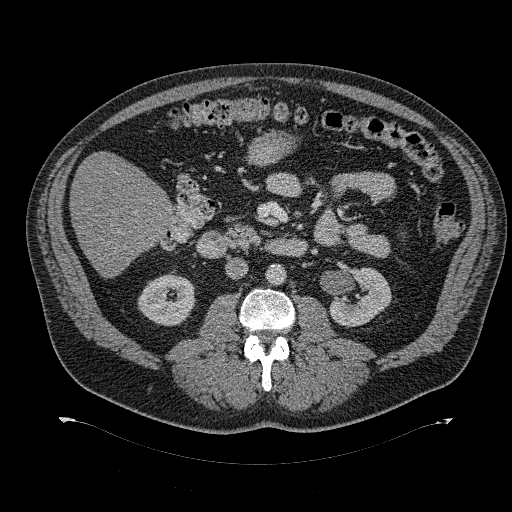
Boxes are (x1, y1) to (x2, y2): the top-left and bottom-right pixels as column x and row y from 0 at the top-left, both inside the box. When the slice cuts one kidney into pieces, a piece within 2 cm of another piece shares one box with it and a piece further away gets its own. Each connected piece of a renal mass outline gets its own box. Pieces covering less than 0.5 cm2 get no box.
Slice 172/274 of a contrast-enhanced abdominal CT, counting up from the lowest; pixel size 0.977 mm, slice thickness 2.00 mm. Two boxes on this slice (two kidney boxes), listed by box centre from the image's left to its right. (1) Right kidney, box (137, 270) to (195, 326) (outlined area 2,338 px, about 22.3 cm2). (2) Left kidney, box (329, 267) to (392, 327) (outlined area 2,492 px, about 23.8 cm2). No renal mass is outlined on this slice.
Scan settings: 120 kVp, B31f reconstruction kernel.